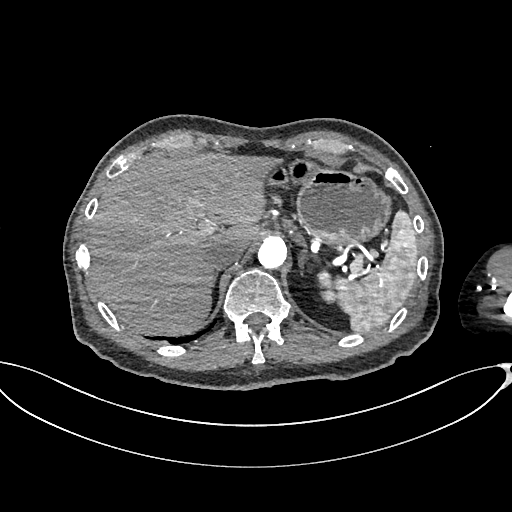
Arterial-phase contrast-enhanced abdominal CT, axial slice 520 of 665 (counted from the lowest slice); tube voltage 100 kVp, convolution kernel I26f; slices 1.00 mm thick, 0.828 mm per pixel.
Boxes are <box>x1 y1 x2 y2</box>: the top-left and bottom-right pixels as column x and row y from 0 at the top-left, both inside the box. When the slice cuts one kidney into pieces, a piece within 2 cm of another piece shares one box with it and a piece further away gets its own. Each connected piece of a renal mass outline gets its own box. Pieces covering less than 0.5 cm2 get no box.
Left kidney: <box>316 269 334 302</box> (outlined area 382 px, about 2.6 cm2). No renal mass outline on this slice.